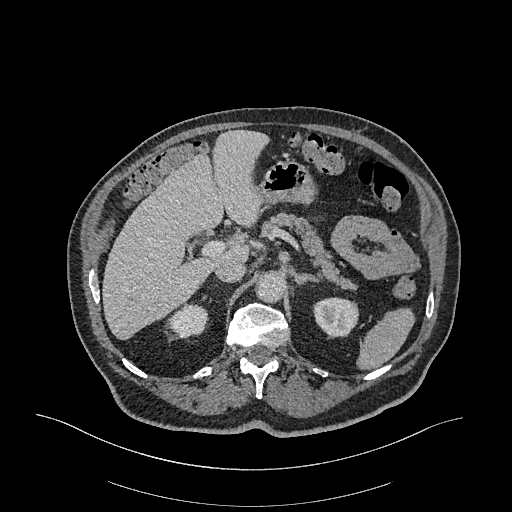
Arterial-phase contrast-enhanced abdominal CT, axial slice 239 of 470 (counted from the lowest slice); tube voltage 120 kVp, convolution kernel I26f; slices 1.00 mm thick, 0.938 mm per pixel.
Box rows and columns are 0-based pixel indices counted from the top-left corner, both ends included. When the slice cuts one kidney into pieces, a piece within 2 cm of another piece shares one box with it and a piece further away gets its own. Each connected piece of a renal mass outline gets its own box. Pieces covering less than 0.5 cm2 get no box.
Two kidney boxes on this slice; by box centre, from the image's left to its right: (1) Box rows 302–341, columns 168–208: right kidney (outlined area 1,068 px, about 9.4 cm2). (2) Left kidney at rows 297–336, columns 313–358 (outlined area 1,450 px, about 12.7 cm2). No renal mass is outlined on this slice.